Abdominal CT with intravenous contrast, arterial phase, axial plane, 120 kVp, kernel B30f. Slice 366/723 from the bottom of the scan; thickness 1.00 mm; pixel size 0.895 mm.
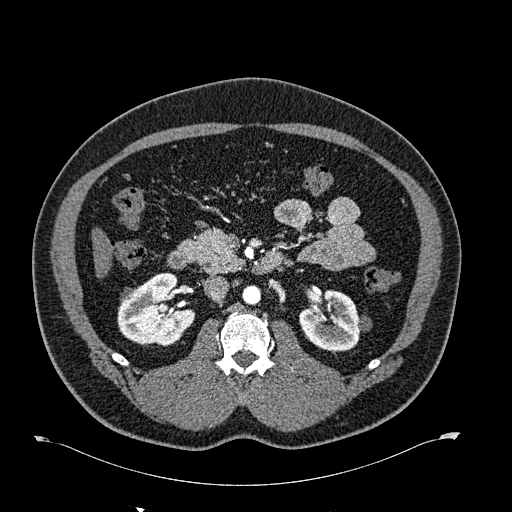
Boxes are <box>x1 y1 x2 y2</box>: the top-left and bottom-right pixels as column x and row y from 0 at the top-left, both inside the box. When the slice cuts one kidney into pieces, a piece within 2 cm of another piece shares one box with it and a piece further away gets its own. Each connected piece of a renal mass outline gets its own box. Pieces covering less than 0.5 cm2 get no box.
Three boxes on this slice (two kidney boxes and one renal mass box), listed by box centre from the image's left to its right. (1) Right renal mass at <box>120 287 133 300</box> (outlined area 144 px, about 1.2 cm2). (2) At <box>117 272 195 345</box>: right kidney (outlined area 3,964 px, about 31.7 cm2). (3) Left kidney at <box>299 289 371 351</box> (outlined area 3,018 px, about 24.1 cm2).